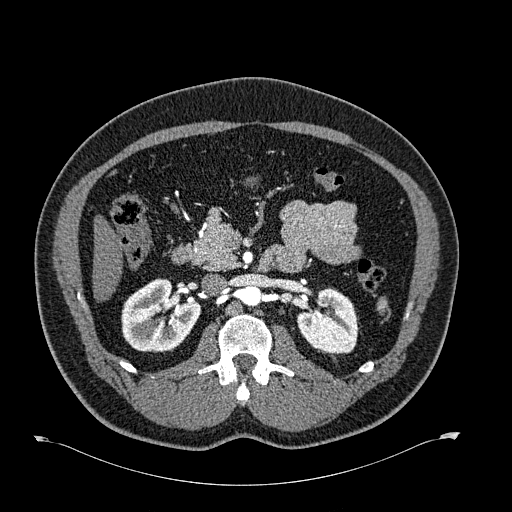
One axial slice (385 of 723, counting up from the lowest) of an arterial-phase abdominal CT acquired with 120 kVp, kernel B30f; each pixel is 0.895 mm and the slice is 1.00 mm thick.
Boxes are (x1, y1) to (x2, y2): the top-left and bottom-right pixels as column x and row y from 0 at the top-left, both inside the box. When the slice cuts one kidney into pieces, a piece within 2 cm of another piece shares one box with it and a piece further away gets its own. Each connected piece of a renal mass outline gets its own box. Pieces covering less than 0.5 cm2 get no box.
Boxed on this slice (two kidney boxes), listed by box centre from the image's left to its right: (1) Right kidney from (121, 278) to (201, 352) (outlined area 4,320 px, about 34.6 cm2). (2) Left kidney, box (297, 287) to (358, 354) (outlined area 3,043 px, about 24.3 cm2). This slice carries no renal mass outline.